Contrast-enhanced abdominal CT, axial slice 218 of 274 (counted from the lowest slice); tube voltage 120 kVp, convolution kernel B31f; slices 2.00 mm thick, 0.977 mm per pixel.
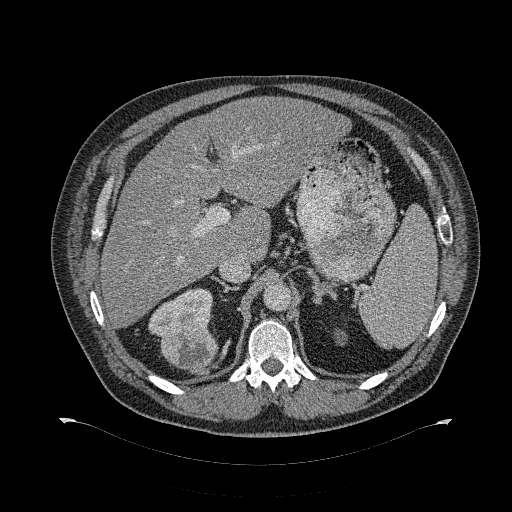
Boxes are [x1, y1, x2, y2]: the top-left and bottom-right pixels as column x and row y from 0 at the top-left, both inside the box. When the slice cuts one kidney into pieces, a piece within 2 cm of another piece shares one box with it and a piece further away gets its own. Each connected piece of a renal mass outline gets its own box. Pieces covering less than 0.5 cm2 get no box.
Two kidney boxes and one renal mass box on this slice; by box centre, from the image's left to its right: (1) Right kidney at [148, 288, 212, 338] (outlined area 1,902 px, about 18.1 cm2). (2) Right renal mass at [160, 324, 218, 373] (outlined area 2,212 px, about 21.1 cm2). (3) Left kidney at [334, 328, 347, 345] (outlined area 177 px, about 1.7 cm2).